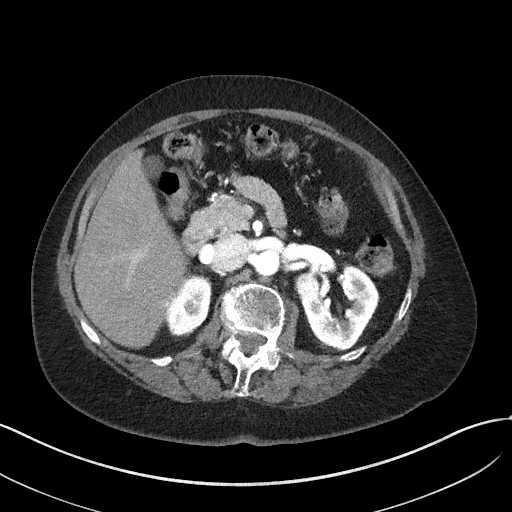
Abdominal CT with intravenous contrast, arterial phase, axial plane, 100 kVp, kernel I41f. Slice 32/50 from the bottom of the scan; thickness 3.00 mm; pixel size 0.758 mm.
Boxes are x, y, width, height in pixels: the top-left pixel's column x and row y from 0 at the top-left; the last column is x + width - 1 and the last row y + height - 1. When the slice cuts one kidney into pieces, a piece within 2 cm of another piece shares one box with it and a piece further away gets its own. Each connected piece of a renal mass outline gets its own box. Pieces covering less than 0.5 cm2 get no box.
Three boxes on this slice (two kidney boxes and one renal mass box), listed by box centre from the image's left to its right. (1) Right kidney at x 167, y 277, width 43, height 58 (outlined area 1,902 px, about 10.9 cm2). (2) Left renal mass at x 295, y 271, width 26, height 26 (outlined area 536 px, about 3.1 cm2). (3) Left kidney at x 301, y 264, width 79, height 87 (outlined area 4,313 px, about 24.8 cm2).